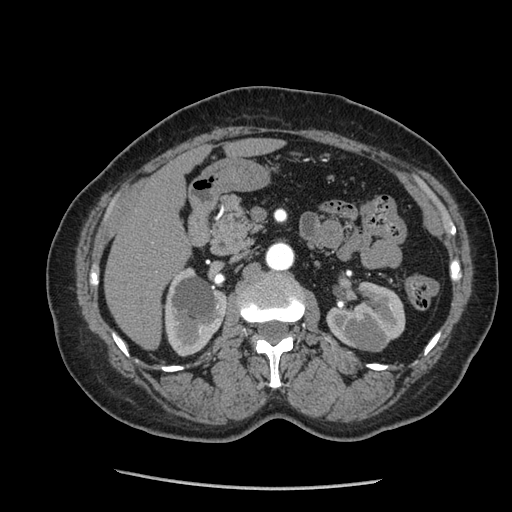
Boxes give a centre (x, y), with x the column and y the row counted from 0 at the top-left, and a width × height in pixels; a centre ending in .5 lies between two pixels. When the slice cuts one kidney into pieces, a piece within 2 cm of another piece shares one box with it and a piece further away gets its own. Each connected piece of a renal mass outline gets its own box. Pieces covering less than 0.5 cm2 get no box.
Arterial-phase contrast-enhanced abdominal CT, axial slice 132 of 233 (counted from the lowest slice); 1.25 mm thick, 0.703 mm per pixel. Boxed on this slice (two kidney boxes and one renal mass box), listed by box centre from the image's left to its right: (1) Right kidney in a box with centre (195.5, 311.5), 64 × 90 pixels (outlined area 4,102 px, about 20.3 cm2). (2) Left kidney, box centre (365.5, 314), 80 × 67 pixels (outlined area 3,317 px, about 16.4 cm2). (3) Left renal mass, box centre (369.5, 338.5), 36 × 26 pixels (outlined area 690 px, about 3.4 cm2).
Acquired at 120 kVp and reconstructed with the STANDARD kernel.